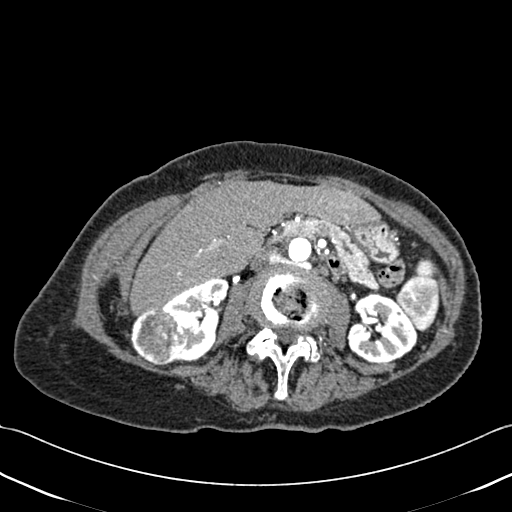
Abdominal CT with intravenous contrast, axial plane, 120 kVp, kernel B30f. Slice 229/433 from the bottom of the scan; thickness 1.00 mm; pixel size 0.672 mm.
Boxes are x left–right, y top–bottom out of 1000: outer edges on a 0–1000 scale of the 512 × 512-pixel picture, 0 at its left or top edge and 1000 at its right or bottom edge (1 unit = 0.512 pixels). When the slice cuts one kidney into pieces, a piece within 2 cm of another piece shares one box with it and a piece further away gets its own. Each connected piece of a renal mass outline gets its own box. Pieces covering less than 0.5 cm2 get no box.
Two kidney boxes and one renal mass box on this slice; by box centre, from the image's left to its right: (1) Right renal mass at x 254–357, y 598–715 out of 1000 (outlined area 2,372 px, about 10.7 cm2). (2) Box x 313–449, y 543–705 out of 1000: right kidney (outlined area 3,260 px, about 14.7 cm2). (3) Box x 676–816, y 570–711 out of 1000: left kidney (outlined area 3,658 px, about 16.5 cm2).